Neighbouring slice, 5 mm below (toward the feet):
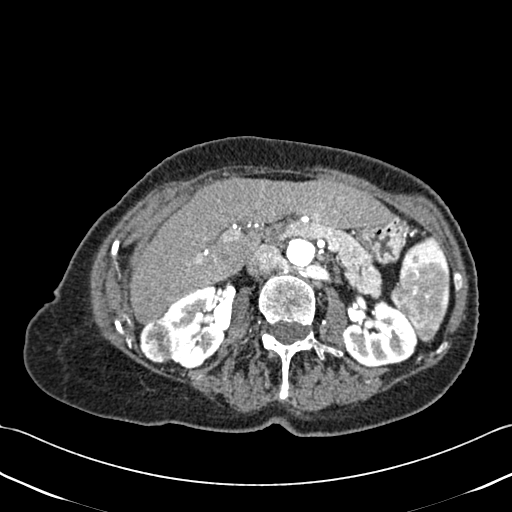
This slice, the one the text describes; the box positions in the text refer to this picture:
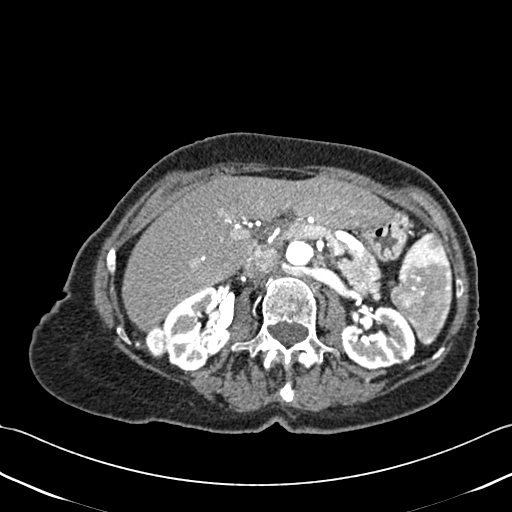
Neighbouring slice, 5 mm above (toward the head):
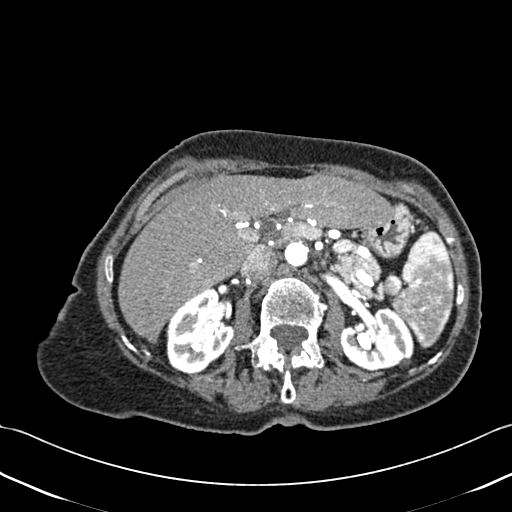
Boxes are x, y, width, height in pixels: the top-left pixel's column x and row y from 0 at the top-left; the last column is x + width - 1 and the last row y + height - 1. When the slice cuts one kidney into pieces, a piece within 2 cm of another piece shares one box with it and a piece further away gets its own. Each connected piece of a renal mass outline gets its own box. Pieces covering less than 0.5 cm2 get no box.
This is axial slice 262 of 433 (slice 1 is the lowest) of an abdominal CT with contrast; each pixel is 0.672 mm and the slice is 1.00 mm thick. Two kidney boxes and one renal mass box on this slice; by box centre, from the image's left to its right: (1) Box x 145, y 327, width 21, height 32: right renal mass (outlined area 505 px, about 2.3 cm2). (2) Right kidney, box x 163, y 287, width 71, height 85 (outlined area 4,082 px, about 18.4 cm2). (3) Left kidney, box x 341, y 306, width 75, height 65 (outlined area 3,589 px, about 16.2 cm2). This slice is near the end of the right renal mass toward the head, so the slices 5 mm below and 5 mm above it are shown as well; the boxes refer to this slice only.
Tube voltage 120 kVp; convolution kernel B30f.